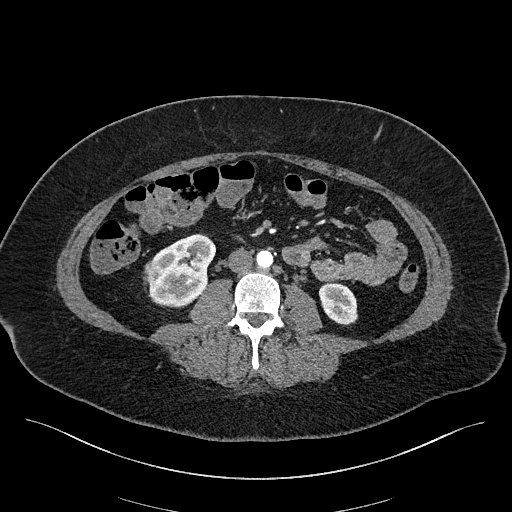
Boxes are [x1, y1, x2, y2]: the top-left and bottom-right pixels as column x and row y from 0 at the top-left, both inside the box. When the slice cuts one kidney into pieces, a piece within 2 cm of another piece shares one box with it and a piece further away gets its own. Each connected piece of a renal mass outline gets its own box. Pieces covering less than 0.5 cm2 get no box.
This is axial slice 68 of 270 (slice 1 is the lowest) of an arterial-phase abdominal CT with contrast; each pixel is 0.855 mm and the slice is 2.00 mm thick. Boxed on this slice (two kidney boxes and one renal mass box), listed by box centre from the image's left to its right: (1) Right renal mass at [144, 260, 161, 284] (outlined area 296 px, about 2.2 cm2). (2) Right kidney, box [149, 233, 216, 306] (outlined area 3,425 px, about 25.1 cm2). (3) Left kidney, box [318, 282, 357, 325] (outlined area 1,301 px, about 9.5 cm2).
Acquired at 100 kVp and reconstructed with the I40f kernel.